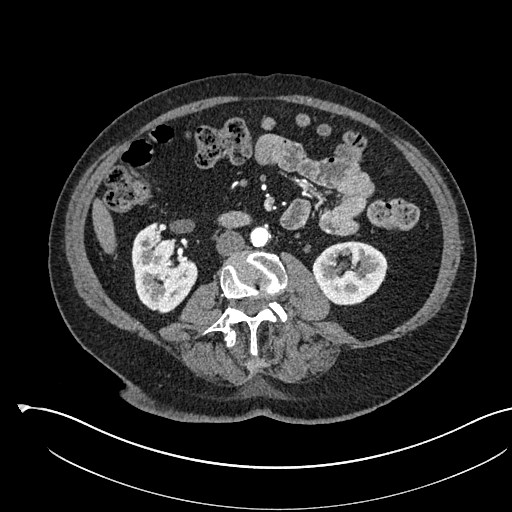
One axial slice (268 of 541, counting up from the lowest) of an arterial-phase abdominal CT acquired with 120 kVp, kernel I30f; each pixel is 0.834 mm and the slice is 1.00 mm thick.
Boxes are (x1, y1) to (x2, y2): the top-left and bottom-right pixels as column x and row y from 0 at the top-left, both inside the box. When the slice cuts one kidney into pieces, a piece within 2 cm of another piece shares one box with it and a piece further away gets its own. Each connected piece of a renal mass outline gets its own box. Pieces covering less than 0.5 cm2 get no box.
Boxed on this slice (two kidney boxes), listed by box centre from the image's left to its right: (1) Right kidney from (131, 222) to (197, 313) (outlined area 4,141 px, about 28.8 cm2). (2) Left kidney, box (312, 240) to (388, 305) (outlined area 3,702 px, about 25.7 cm2). No renal mass is outlined on this slice.